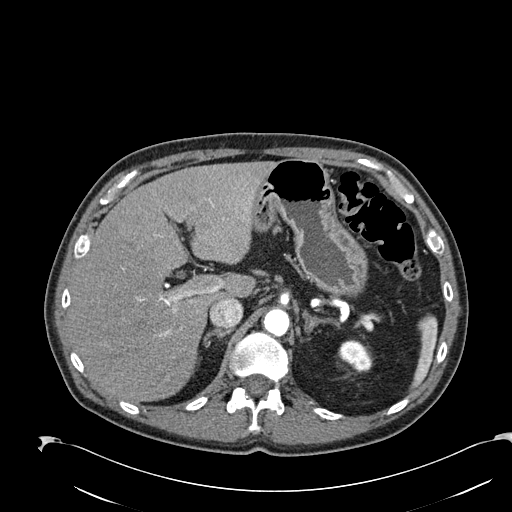
Arterial-phase contrast-enhanced abdominal CT, axial slice 171 of 274 (counted from the lowest slice); tube voltage 120 kVp, convolution kernel B30f; slices 2.00 mm thick, 0.809 mm per pixel.
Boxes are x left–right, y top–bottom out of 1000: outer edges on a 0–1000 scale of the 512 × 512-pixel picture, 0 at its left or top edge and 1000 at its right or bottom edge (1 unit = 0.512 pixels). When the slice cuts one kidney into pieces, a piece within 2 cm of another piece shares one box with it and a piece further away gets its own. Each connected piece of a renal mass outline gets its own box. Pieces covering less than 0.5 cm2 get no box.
Box x 660–729, y 662–727 out of 1000: left kidney (outlined area 796 px, about 5.2 cm2). No renal mass is outlined on this slice.